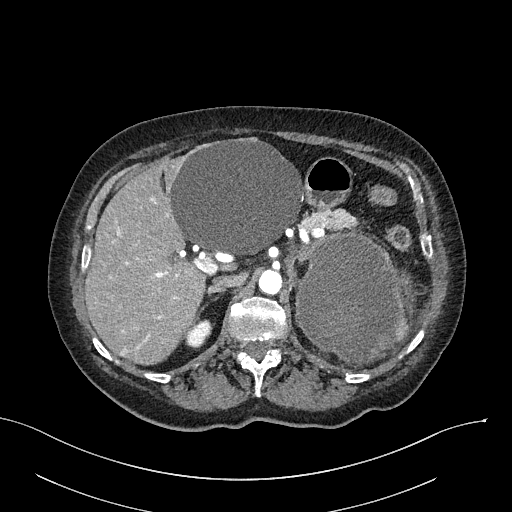
Axial slice 183 of 316 of a contrast-enhanced abdominal CT in the arterial phase (slice 1 is the lowest), 100 kVp, kernel I40f; 2.00 mm slice thickness and 0.840 mm pixels.
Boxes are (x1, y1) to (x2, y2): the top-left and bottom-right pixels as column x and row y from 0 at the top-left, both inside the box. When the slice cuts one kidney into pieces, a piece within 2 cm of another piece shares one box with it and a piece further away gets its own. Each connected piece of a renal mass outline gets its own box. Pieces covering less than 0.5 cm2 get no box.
One kidney box and one renal mass box on this slice; by box centre, from the image's left to its right: (1) Right kidney, box (184, 319) to (212, 348) (outlined area 579 px, about 4.1 cm2). (2) Left renal mass, box (295, 231) to (411, 365) (outlined area 11,784 px, about 83.1 cm2); on this slice it lies more than 1 cm from any kidney outline, but the same outlined renal mass comes within 1 cm of the kidney on another slice.